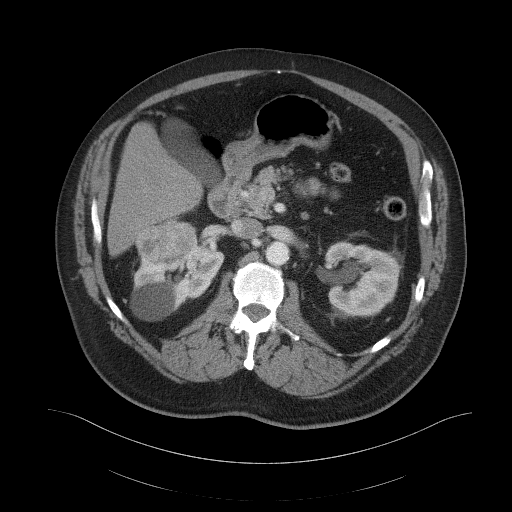
Axial slice 73 of 103 of a contrast-enhanced abdominal CT in the arterial phase (slice 1 is the lowest), 120 kVp, kernel B41f; 5.00 mm slice thickness and 0.951 mm pixels.
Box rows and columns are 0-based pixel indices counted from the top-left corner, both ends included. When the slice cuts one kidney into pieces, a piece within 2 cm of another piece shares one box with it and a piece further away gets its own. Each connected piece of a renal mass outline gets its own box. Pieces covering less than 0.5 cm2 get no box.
Boxed on this slice (two kidney boxes and one renal mass box), listed by box centre from the image's left to its right: (1) Right renal mass at rows 218–265, columns 134–196 (outlined area 2,252 px, about 20.4 cm2). (2) Box rows 234–320, columns 131–224: right kidney (outlined area 4,261 px, about 38.6 cm2). (3) Box rows 241–316, columns 323–400: left kidney (outlined area 4,550 px, about 41.2 cm2).